One axial slice (456 of 735, counting up from the lowest) of an arterial-phase abdominal CT acquired with 120 kVp, kernel I30f; each pixel is 0.789 mm and the slice is 1.00 mm thick.
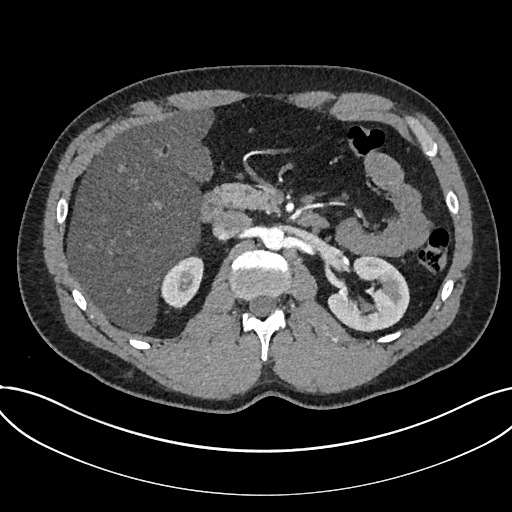
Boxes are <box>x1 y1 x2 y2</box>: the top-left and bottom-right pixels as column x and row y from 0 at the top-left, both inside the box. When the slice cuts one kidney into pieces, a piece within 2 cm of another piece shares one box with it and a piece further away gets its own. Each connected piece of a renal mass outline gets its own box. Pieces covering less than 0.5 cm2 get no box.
Boxed on this slice (two kidney boxes), listed by box centre from the image's left to its right: (1) Kidney at <box>160 256 203 309</box> (outlined area 1,650 px, about 10.3 cm2). (2) At <box>327 255 409 332</box>: kidney (outlined area 4,143 px, about 25.8 cm2). No renal mass outline on this slice.